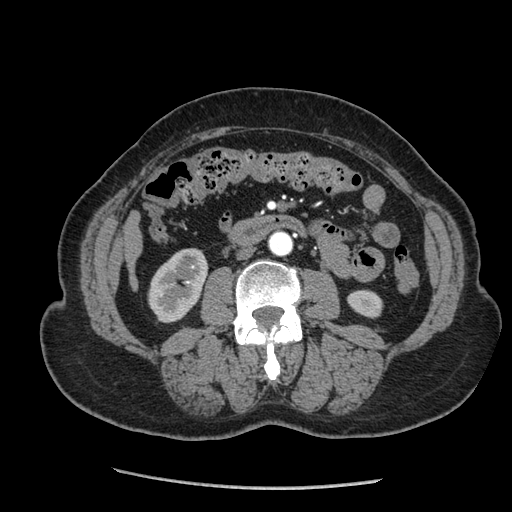
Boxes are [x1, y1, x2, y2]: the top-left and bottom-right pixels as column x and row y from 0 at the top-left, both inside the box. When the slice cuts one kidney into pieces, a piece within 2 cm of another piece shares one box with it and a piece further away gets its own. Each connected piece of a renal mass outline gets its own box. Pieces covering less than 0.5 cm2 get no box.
This is axial slice 97 of 233 (slice 1 is the lowest) of an arterial-phase abdominal CT with contrast; each pixel is 0.703 mm and the slice is 1.25 mm thick. Two kidney boxes on this slice; by box centre, from the image's left to its right: (1) Right kidney, box [147, 248, 208, 323] (outlined area 3,242 px, about 16.0 cm2). (2) Left kidney, box [346, 289, 383, 318] (outlined area 810 px, about 4.0 cm2). No renal mass is outlined on this slice.
Tube voltage 120 kVp; convolution kernel STANDARD.